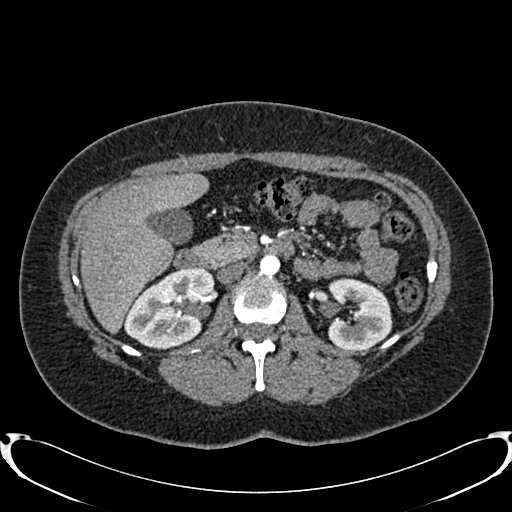
Abdominal CT with intravenous contrast, arterial phase, axial plane, 120 kVp, kernel B20f. Slice 476/719 from the bottom of the scan; thickness 1.00 mm; pixel size 0.766 mm.
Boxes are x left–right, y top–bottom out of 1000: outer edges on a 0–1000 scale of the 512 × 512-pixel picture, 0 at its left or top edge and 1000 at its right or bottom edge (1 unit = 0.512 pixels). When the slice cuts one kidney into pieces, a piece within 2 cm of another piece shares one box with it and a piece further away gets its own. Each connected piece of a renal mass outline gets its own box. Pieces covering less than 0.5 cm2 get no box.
Boxed on this slice (two kidney boxes), listed by box centre from the image's left to its right: (1) Right kidney, box x 240–420, y 523–684 out of 1000 (outlined area 5,251 px, about 30.8 cm2). (2) Left kidney, box x 639–768, y 543–686 out of 1000 (outlined area 3,752 px, about 22.0 cm2). No renal mass is outlined on this slice.